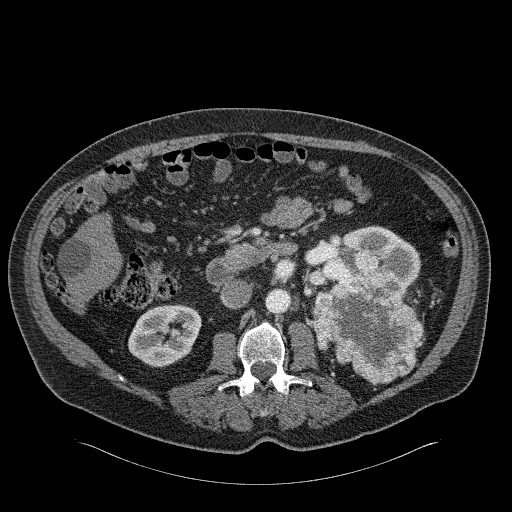
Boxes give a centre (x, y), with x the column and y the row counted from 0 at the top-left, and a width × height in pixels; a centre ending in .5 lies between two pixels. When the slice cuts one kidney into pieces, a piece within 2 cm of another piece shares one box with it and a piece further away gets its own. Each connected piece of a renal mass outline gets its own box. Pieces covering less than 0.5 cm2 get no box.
Slice 114/326 of a contrast-enhanced abdominal CT in the arterial phase, counting up from the lowest; pixel size 0.963 mm, slice thickness 2.00 mm. Boxed on this slice (two kidney boxes and one renal mass box), listed by box centre from the image's left to its right: (1) Box centre (164.5, 335.5), 74 × 64 pixels: right kidney (outlined area 3,449 px, about 32.0 cm2). (2) Box centre (368, 315), 111 × 137 pixels: left renal mass (outlined area 9,086 px, about 84.2 cm2). (3) Left kidney, box centre (368.5, 262), 104 × 75 pixels (outlined area 3,713 px, about 34.4 cm2).
Tube voltage 120 kVp; convolution kernel B31f.